One axial slice (230 of 527, counting up from the lowest) of an arterial-phase abdominal CT acquired with 120 kVp, kernel I30f; each pixel is 0.859 mm and the slice is 1.00 mm thick.
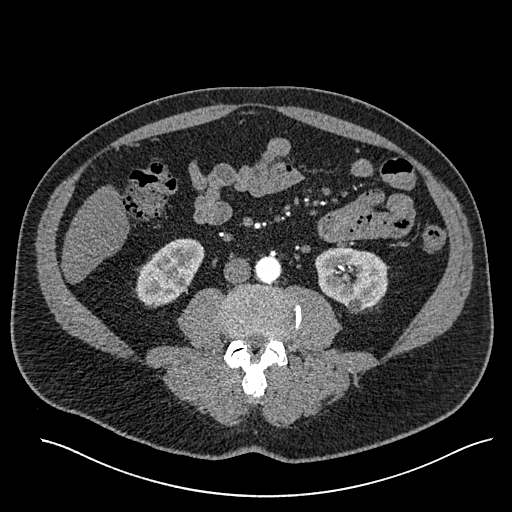
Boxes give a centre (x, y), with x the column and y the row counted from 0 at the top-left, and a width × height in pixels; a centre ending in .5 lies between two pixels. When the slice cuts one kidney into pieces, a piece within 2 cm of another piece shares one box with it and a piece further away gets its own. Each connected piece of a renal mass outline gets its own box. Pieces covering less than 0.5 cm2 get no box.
Boxed on this slice (two kidney boxes), listed by box centre from the image's left to its right: (1) Right kidney in a box with centre (170, 272.5), 69 × 70 pixels (outlined area 3,169 px, about 23.4 cm2). (2) Left kidney, box centre (352, 279.5), 75 × 68 pixels (outlined area 3,671 px, about 27.1 cm2). No renal mass outline on this slice.